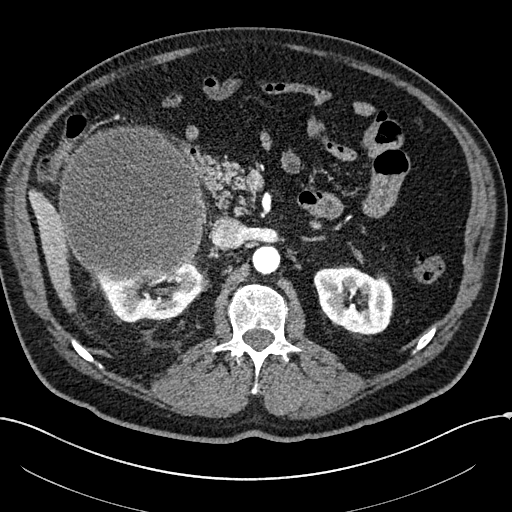
One axial slice (136 of 304, counting up from the lowest) of an arterial-phase abdominal CT acquired with 100 kVp, kernel I30f; each pixel is 0.809 mm and the slice is 2.00 mm thick.
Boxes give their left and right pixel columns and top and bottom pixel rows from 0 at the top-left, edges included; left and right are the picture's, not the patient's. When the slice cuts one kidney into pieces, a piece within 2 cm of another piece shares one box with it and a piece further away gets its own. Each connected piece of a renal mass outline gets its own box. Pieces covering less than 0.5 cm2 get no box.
Two kidney boxes and one renal mass box on this slice; by box centre, from the image's left to its right: (1) Box with left 58, top 125, right 206, bottom 282: right renal mass (outlined area 18,698 px, about 122.3 cm2). (2) Right kidney, the box with left 95, top 259, right 208, bottom 322 (outlined area 3,725 px, about 24.4 cm2). (3) Box with left 313, top 266, right 394, bottom 334: left kidney (outlined area 4,223 px, about 27.6 cm2).